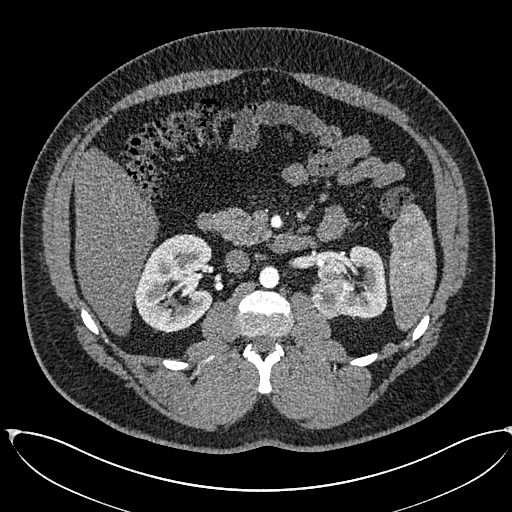
Axial slice 361 of 673 of a contrast-enhanced abdominal CT in the arterial phase (slice 1 is the lowest), 120 kVp, kernel I30f; 1.00 mm slice thickness and 0.855 mm pixels.
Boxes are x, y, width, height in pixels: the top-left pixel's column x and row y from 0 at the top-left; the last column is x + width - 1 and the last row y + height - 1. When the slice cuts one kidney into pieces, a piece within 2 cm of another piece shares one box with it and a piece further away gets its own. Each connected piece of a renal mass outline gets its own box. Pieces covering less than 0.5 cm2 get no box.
Two kidney boxes and one renal mass box on this slice; by box centre, from the image's left to its right: (1) Right kidney at x 133, y 234, width 81, height 99 (outlined area 5,826 px, about 42.6 cm2). (2) Box x 311, y 279, width 41, height 40: left renal mass (outlined area 1,313 px, about 9.6 cm2). (3) Box x 317, y 245, width 71, height 73: left kidney (outlined area 2,988 px, about 21.9 cm2).